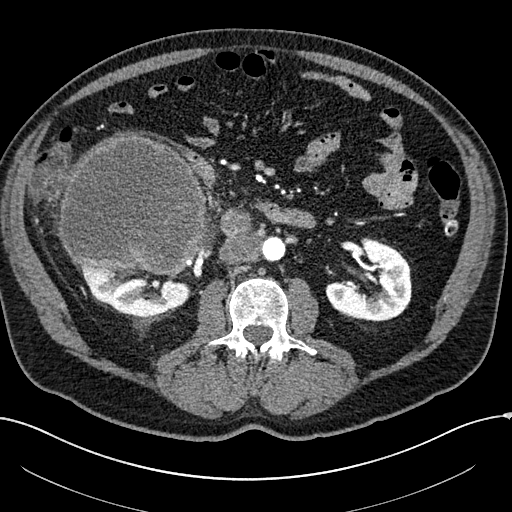
Abdominal CT with intravenous contrast, arterial phase, axial plane, 100 kVp, kernel I30f. Slice 101/304 from the bottom of the scan; thickness 2.00 mm; pixel size 0.809 mm.
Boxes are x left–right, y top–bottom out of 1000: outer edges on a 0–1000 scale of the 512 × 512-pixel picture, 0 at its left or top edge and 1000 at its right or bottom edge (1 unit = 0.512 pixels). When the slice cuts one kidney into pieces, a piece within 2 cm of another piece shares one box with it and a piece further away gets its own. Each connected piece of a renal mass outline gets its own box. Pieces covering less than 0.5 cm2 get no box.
Boxed on this slice (two kidney boxes and one renal mass box), listed by box centre from the image's left to its right: (1) Right renal mass, box x 111–404, y 264–539 out of 1000 (outlined area 16,549 px, about 108.2 cm2). (2) Right kidney at x 152–373, y 516–621 out of 1000 (outlined area 3,722 px, about 24.3 cm2). (3) Left kidney at x 635–805, y 463–629 out of 1000 (outlined area 4,784 px, about 31.3 cm2).